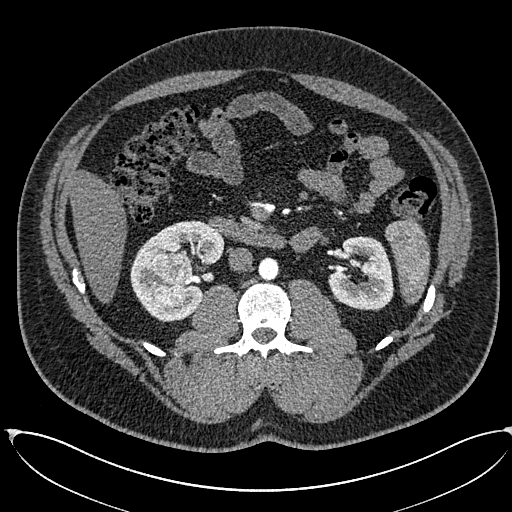
Axial slice 325 of 673 of a contrast-enhanced abdominal CT in the arterial phase (slice 1 is the lowest), 120 kVp, kernel I30f; 1.00 mm slice thickness and 0.855 mm pixels.
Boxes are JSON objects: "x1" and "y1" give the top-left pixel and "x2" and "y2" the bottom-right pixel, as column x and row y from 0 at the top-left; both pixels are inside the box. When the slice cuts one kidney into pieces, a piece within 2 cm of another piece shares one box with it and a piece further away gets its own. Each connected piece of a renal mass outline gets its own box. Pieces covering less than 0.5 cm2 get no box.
Two kidney boxes and one renal mass box on this slice; by box centre, from the image's left to its right: (1) Box {"x1": 151, "y1": 252, "x2": 193, "y2": 307}: right renal mass (outlined area 1,846 px, about 13.5 cm2). (2) Right kidney at {"x1": 130, "y1": 220, "x2": 224, "y2": 321} (outlined area 4,837 px, about 35.4 cm2). (3) Left kidney, box {"x1": 328, "y1": 236, "x2": 393, "y2": 310} (outlined area 3,606 px, about 26.4 cm2).